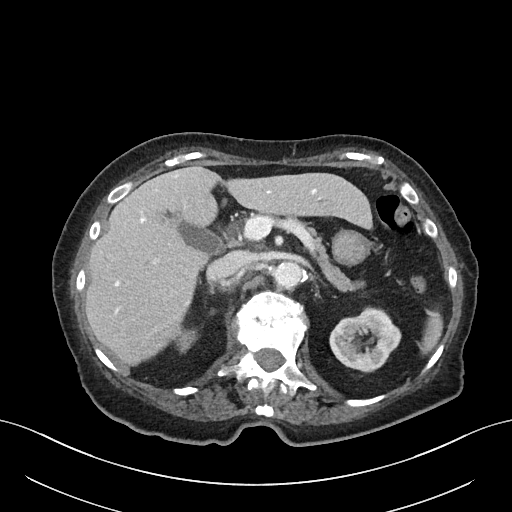
Axial slice 43 of 76 of a contrast-enhanced abdominal CT (slice 1 is the lowest), 100 kVp, kernel I40f; 3.00 mm slice thickness and 0.768 mm pixels.
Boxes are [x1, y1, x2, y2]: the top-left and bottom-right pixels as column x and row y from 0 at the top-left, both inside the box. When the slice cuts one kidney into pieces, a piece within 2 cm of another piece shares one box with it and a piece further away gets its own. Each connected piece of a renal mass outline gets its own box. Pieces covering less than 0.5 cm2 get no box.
Two kidney boxes on this slice; by box centre, from the image's left to its right: (1) Right kidney, box [176, 328, 198, 353] (outlined area 377 px, about 2.2 cm2). (2) Left kidney at [329, 306, 401, 372] (outlined area 3,331 px, about 19.6 cm2). This slice carries no renal mass outline.